Axial slice 188 of 1059 of a contrast-enhanced abdominal CT in the arterial phase (slice 1 is the lowest), 100 kVp, kernel I30f; 1.00 mm slice thickness and 0.811 mm pixels.
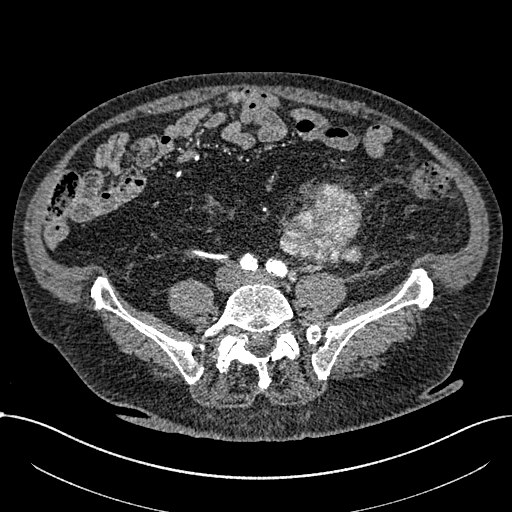
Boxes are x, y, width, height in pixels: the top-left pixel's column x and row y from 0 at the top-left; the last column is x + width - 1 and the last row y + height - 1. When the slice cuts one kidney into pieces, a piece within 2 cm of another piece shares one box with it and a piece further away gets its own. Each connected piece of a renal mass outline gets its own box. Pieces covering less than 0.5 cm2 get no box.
Renal mass, box x 279, y 182, width 84, height 83 (outlined area 4,865 px, about 32.0 cm2); no kidney is outlined on this slice, but the same outlined renal mass comes within 1 cm of the kidney on another slice.